One axial slice (139 of 262, counting up from the lowest) of an arterial-phase abdominal CT acquired with 120 kVp, kernel STANDARD; each pixel is 0.703 mm and the slice is 2.50 mm thick.
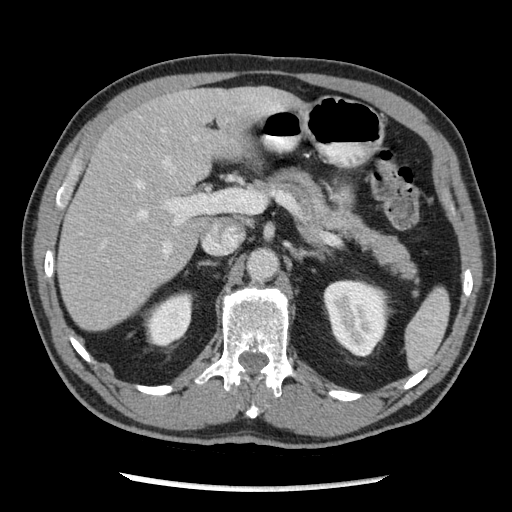
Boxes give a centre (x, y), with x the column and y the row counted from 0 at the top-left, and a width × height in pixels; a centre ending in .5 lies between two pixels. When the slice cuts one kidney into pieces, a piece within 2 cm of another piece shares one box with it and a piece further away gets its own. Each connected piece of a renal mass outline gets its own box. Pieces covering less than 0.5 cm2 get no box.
Two kidney boxes on this slice; by box centre, from the image's left to its right: (1) Right kidney, box centre (167.5, 319), 50 × 57 pixels (outlined area 2,002 px, about 9.9 cm2). (2) Left kidney in a box with centre (356.5, 317.5), 68 × 80 pixels (outlined area 4,010 px, about 19.8 cm2). No renal mass outline on this slice.